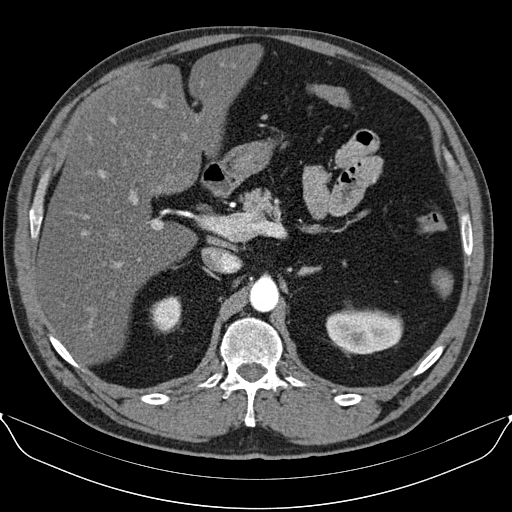
Axial slice 69 of 96 of a contrast-enhanced abdominal CT in the arterial phase (slice 1 is the lowest), 130 kVp, kernel B30s; 3.00 mm slice thickness and 0.781 mm pixels.
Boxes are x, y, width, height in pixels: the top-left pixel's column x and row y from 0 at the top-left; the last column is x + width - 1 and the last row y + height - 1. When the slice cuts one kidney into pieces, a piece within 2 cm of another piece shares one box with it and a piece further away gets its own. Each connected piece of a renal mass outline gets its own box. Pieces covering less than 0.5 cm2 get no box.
Two kidney boxes on this slice; by box centre, from the image's left to its right: (1) Box x 150, y 296, width 32, height 38: right kidney (outlined area 919 px, about 5.6 cm2). (2) Left kidney, box x 325, y 309, width 78, height 46 (outlined area 2,797 px, about 17.1 cm2). No renal mass is outlined on this slice.